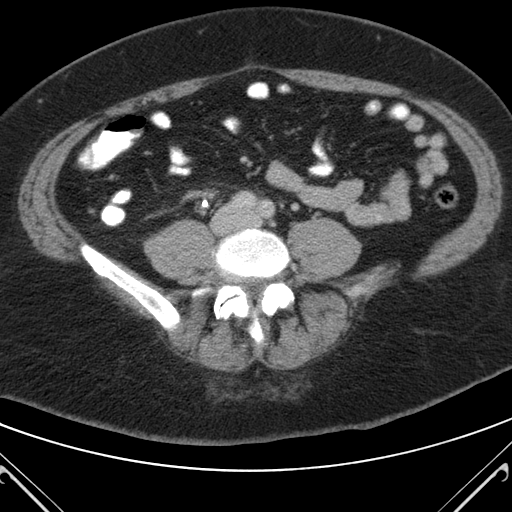
Arterial-phase contrast-enhanced abdominal CT, axial slice 45 of 98 (counted from the lowest slice); 5.00 mm thick, 0.703 mm per pixel. No kidney and no renal mass is outlined on this slice; the outlines in this scan cover only the kidneys and the renal masses, so nothing is said about any other organ.
Scan settings: 120 kVp, B reconstruction kernel.